Abdominal CT with intravenous contrast, arterial phase, axial plane, 120 kVp, kernel I30f. Slice 506/735 from the bottom of the scan; thickness 1.00 mm; pixel size 0.789 mm.
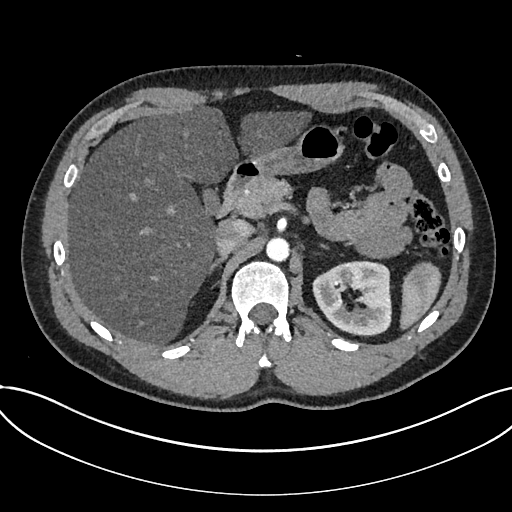
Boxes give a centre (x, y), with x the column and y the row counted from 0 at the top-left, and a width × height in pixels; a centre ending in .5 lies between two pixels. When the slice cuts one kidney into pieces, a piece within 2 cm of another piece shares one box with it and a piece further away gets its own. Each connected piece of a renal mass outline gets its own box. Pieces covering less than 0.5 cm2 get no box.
Kidney, box centre (351.5, 298), 80 × 77 pixels (outlined area 4,632 px, about 28.8 cm2). This slice carries no renal mass outline.